One axial slice (616 of 987, counting up from the lowest) of an arterial-phase abdominal CT acquired with 120 kVp, kernel I26f; each pixel is 0.977 mm and the slice is 1.00 mm thick.
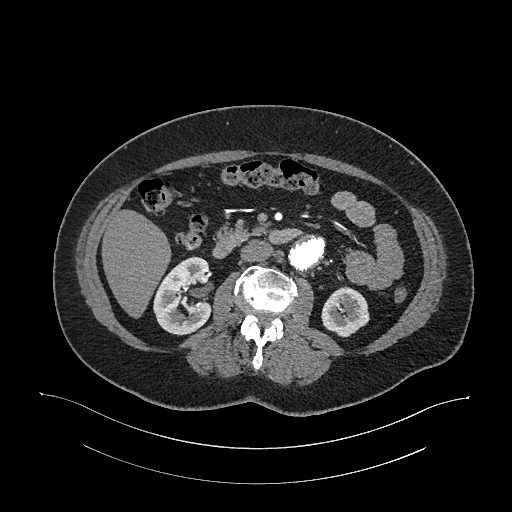
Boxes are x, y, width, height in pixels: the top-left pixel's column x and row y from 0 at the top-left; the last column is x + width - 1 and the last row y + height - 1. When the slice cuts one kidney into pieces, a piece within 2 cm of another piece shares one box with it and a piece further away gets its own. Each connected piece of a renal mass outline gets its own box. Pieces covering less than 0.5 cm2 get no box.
Boxed on this slice (two kidney boxes), listed by box centre from the image's left to its right: (1) Box x 153, y 256, width 59, height 80: right kidney (outlined area 3,449 px, about 32.9 cm2). (2) Box x 321, y 286, width 49, height 52: left kidney (outlined area 1,818 px, about 17.3 cm2). This slice carries no renal mass outline.